Axial slice 220 of 620 of a contrast-enhanced abdominal CT in the arterial phase (slice 1 is the lowest), 120 kVp, kernel B31f; 2.00 mm slice thickness and 0.637 mm pixels.
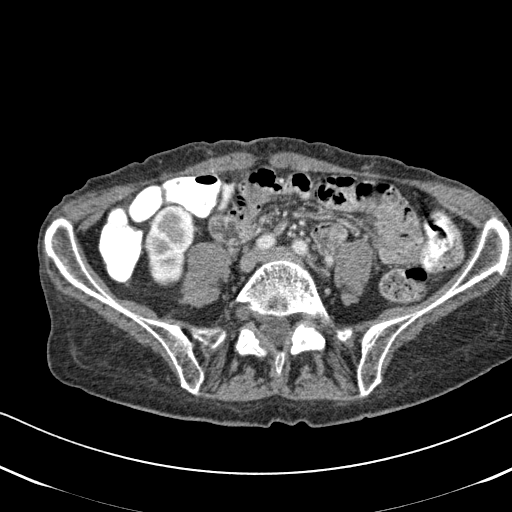
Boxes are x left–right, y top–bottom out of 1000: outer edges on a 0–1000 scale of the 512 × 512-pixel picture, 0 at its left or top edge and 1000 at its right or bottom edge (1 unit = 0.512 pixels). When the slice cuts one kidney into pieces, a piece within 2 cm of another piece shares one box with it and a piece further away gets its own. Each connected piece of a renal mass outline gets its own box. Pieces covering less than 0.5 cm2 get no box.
Right kidney, box x 281–383, y 398–561 out of 1000 (outlined area 3,241 px, about 13.1 cm2). This slice carries no renal mass outline.